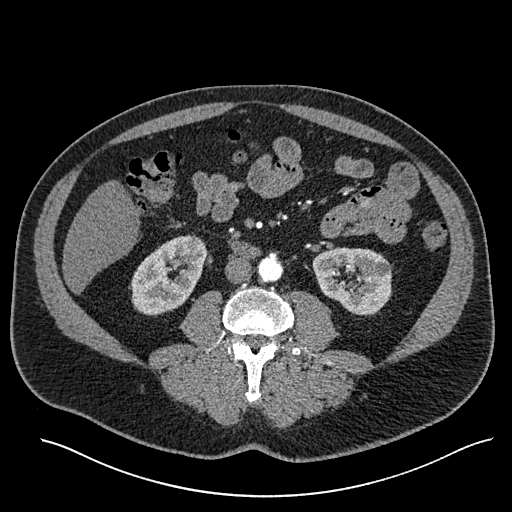
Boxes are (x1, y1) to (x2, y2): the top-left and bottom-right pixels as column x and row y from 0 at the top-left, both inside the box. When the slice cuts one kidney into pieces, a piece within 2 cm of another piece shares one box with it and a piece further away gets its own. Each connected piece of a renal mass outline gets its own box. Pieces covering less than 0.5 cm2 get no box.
Slice 250/527 of a contrast-enhanced abdominal CT in the arterial phase, counting up from the lowest; pixel size 0.859 mm, slice thickness 1.00 mm. Boxed on this slice (two kidney boxes), listed by box centre from the image's left to its right: (1) Box (131, 235) to (207, 315): right kidney (outlined area 4,249 px, about 31.4 cm2). (2) Box (312, 247) to (391, 315): left kidney (outlined area 4,118 px, about 30.4 cm2). This slice carries no renal mass outline.
Scan settings: 120 kVp, I30f reconstruction kernel.